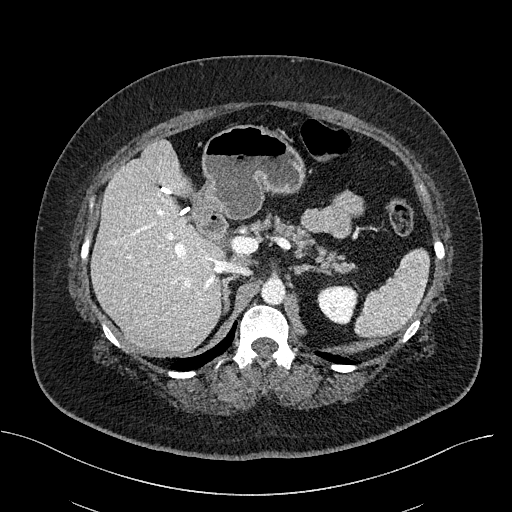
Abdominal CT with intravenous contrast, axial plane, 100 kVp, kernel I40f. Slice 340/470 from the bottom of the scan; thickness 2.00 mm; pixel size 0.824 mm.
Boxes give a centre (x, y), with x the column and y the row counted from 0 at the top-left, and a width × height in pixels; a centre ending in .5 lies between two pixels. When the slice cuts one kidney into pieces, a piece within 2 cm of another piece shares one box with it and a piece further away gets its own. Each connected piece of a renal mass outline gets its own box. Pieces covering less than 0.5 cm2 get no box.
Left kidney in a box with centre (336, 304.5), 41 × 40 pixels (outlined area 1,245 px, about 8.5 cm2). This slice carries no renal mass outline.